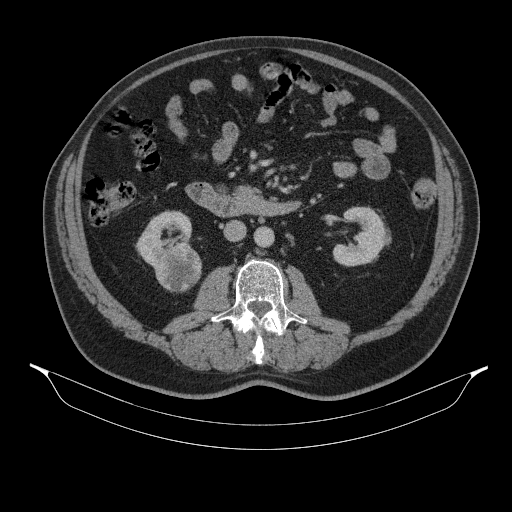
One axial slice (186 of 314, counting up from the lowest) of a contrast-enhanced abdominal CT acquired with 130 kVp, kernel B31s; each pixel is 0.934 mm and the slice is 2.50 mm thick.
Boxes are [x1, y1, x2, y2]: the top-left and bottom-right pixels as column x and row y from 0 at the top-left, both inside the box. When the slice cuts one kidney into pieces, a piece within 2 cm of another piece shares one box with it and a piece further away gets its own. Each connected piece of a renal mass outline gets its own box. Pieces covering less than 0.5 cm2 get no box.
Boxed on this slice (two kidney boxes and one renal mass box), listed by box centre from the image's left to its right: (1) Right kidney, box [135, 210, 192, 270] (outlined area 1,878 px, about 16.4 cm2). (2) Right renal mass at [155, 242, 201, 292] (outlined area 1,761 px, about 15.3 cm2). (3) Left kidney at [332, 206, 391, 266] (outlined area 2,229 px, about 19.4 cm2).